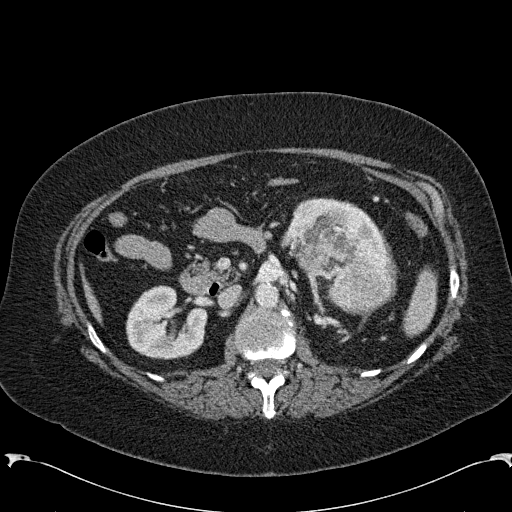
Arterial-phase contrast-enhanced abdominal CT, axial slice 138 of 285 (counted from the lowest slice); tube voltage 120 kVp, convolution kernel B31f; slices 2.00 mm thick, 0.762 mm per pixel.
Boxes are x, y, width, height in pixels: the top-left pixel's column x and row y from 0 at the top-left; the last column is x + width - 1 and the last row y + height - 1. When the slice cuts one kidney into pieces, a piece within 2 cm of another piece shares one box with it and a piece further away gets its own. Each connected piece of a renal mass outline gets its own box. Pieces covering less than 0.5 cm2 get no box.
Three boxes on this slice (two kidney boxes and one renal mass box), listed by box centre from the image's left to its right. (1) Box x 126, y 285, width 82, height 75: right kidney (outlined area 4,455 px, about 25.8 cm2). (2) Left kidney, box x 285, y 197, width 106, height 60 (outlined area 2,897 px, about 16.8 cm2). (3) Left renal mass, box x 294, y 223, width 105, height 93 (outlined area 6,243 px, about 36.2 cm2).